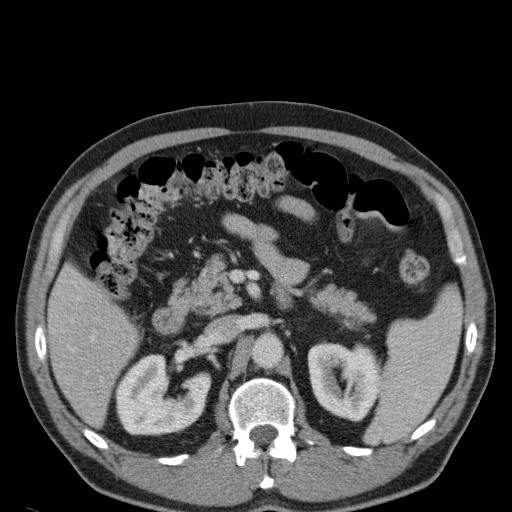
One axial slice (72 of 107, counting up from the lowest) of a contrast-enhanced abdominal CT acquired with 120 kVp, kernel B31f; each pixel is 0.730 mm and the slice is 5.00 mm thick.
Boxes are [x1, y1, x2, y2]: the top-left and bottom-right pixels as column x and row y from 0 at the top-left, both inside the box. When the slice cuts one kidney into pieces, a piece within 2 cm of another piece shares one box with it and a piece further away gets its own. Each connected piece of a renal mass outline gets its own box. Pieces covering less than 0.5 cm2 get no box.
Boxed on this slice (two kidney boxes), listed by box centre from the image's left to its right: (1) Right kidney at [114, 353, 210, 435] (outlined area 5,585 px, about 29.8 cm2). (2) Box [307, 341, 381, 421]: left kidney (outlined area 4,657 px, about 24.8 cm2). No renal mass outline on this slice.